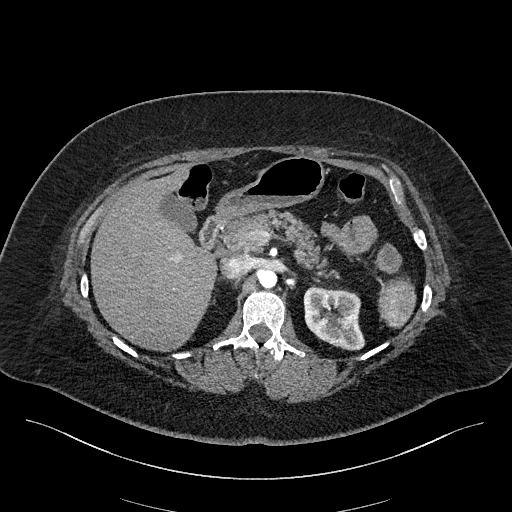
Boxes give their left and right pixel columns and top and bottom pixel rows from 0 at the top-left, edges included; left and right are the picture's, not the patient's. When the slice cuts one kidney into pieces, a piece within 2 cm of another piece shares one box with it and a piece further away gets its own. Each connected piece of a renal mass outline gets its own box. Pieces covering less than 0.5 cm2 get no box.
This is axial slice 139 of 270 (slice 1 is the lowest) of an arterial-phase abdominal CT with contrast; each pixel is 0.855 mm and the slice is 2.00 mm thick. Left kidney, the box with left 303, top 286, right 365, bottom 350 (outlined area 3,032 px, about 22.2 cm2). This slice carries no renal mass outline.
Scan settings: 100 kVp, I40f reconstruction kernel.